One axial slice (359 of 612, counting up from the lowest) of an arterial-phase abdominal CT acquired with 120 kVp, kernel I30f; each pixel is 0.703 mm and the slice is 1.00 mm thick.
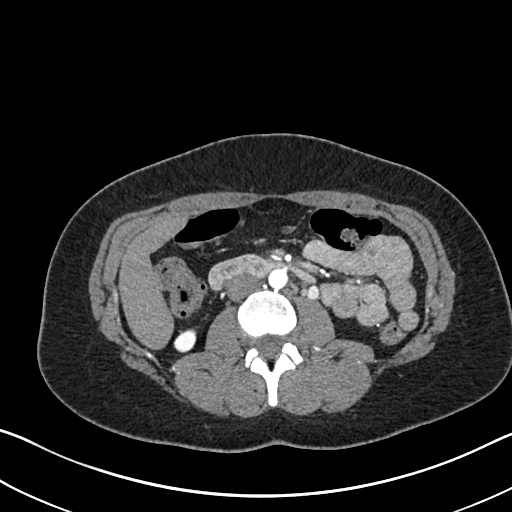
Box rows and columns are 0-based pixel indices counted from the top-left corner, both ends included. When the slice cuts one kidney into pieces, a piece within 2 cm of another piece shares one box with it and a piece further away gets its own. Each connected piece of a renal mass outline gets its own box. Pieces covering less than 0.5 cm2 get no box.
Right kidney at rows 328–351, columns 173–196 (outlined area 415 px, about 2.1 cm2). No renal mass outline on this slice.